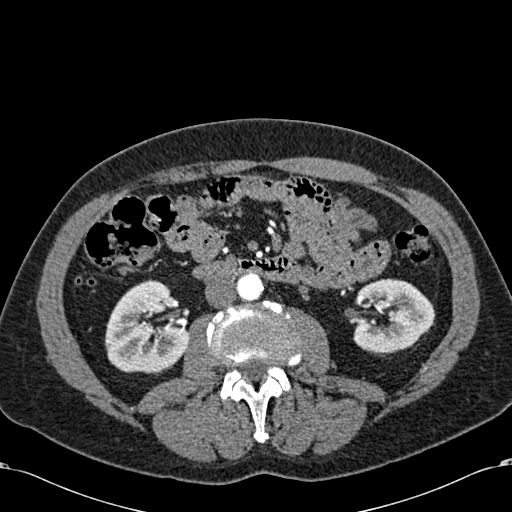
Arterial-phase contrast-enhanced abdominal CT, axial slice 302 of 581 (counted from the lowest slice); tube voltage 120 kVp, convolution kernel B30f; slices 1.00 mm thick, 0.713 mm per pixel.
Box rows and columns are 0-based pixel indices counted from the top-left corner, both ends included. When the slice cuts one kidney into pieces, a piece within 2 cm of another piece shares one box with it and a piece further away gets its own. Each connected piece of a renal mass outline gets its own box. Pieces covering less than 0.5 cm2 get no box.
Boxed on this slice (two kidney boxes), listed by box centre from the image's left to its right: (1) Right kidney at rows 279–373, columns 105–189 (outlined area 5,876 px, about 29.9 cm2). (2) Box rows 278–353, columns 353–435: left kidney (outlined area 4,646 px, about 23.6 cm2). No renal mass outline on this slice.